Abdominal CT with intravenous contrast, axial plane, 120 kVp, kernel B41f. Slice 52/145 from the bottom of the scan; thickness 5.00 mm; pixel size 0.859 mm.
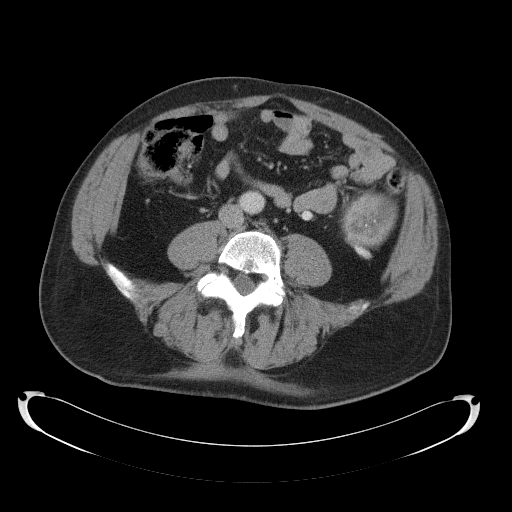
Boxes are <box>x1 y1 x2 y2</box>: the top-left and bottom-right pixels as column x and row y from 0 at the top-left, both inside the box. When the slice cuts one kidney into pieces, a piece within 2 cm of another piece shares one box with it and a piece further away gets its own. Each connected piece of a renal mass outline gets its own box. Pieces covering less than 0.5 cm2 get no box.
Left renal mass: <box>341 188 397 259</box> (outlined area 2,776 px, about 20.5 cm2); this slice has no kidney outline, though on another slice the same outlined renal mass lies within 1 cm of the kidney.